Axial slice 66 of 90 of a contrast-enhanced abdominal CT (slice 1 is the lowest), 120 kVp, kernel B41f; 5.00 mm slice thickness and 0.781 mm pixels.
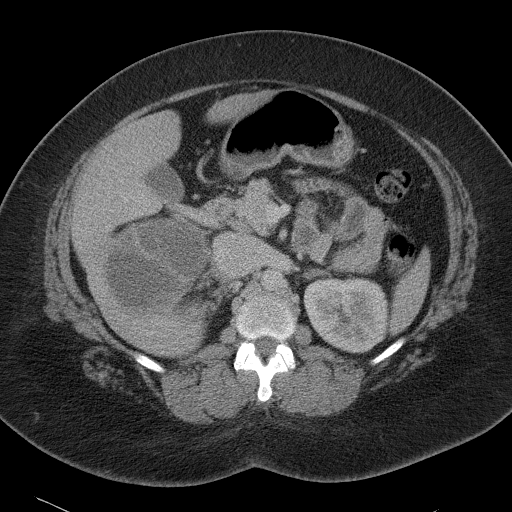
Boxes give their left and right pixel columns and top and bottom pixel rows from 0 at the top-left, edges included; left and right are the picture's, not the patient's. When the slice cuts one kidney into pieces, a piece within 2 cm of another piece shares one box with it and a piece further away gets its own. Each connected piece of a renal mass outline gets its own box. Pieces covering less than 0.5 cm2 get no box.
One kidney box and one renal mass box on this slice; by box centre, from the image's left to its right: (1) Right renal mass in the box with left 106, top 217, right 209, bottom 301 (outlined area 6,959 px, about 42.5 cm2); on this slice it lies more than 1 cm from any kidney outline, but the same outlined renal mass comes within 1 cm of the kidney on another slice. (2) Left kidney in the box with left 303, top 275, right 390, bottom 353 (outlined area 5,290 px, about 32.3 cm2).